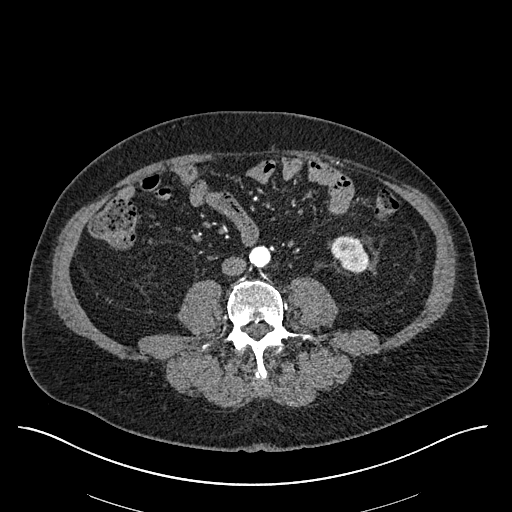
Axial slice 211 of 670 of a contrast-enhanced abdominal CT in the arterial phase (slice 1 is the lowest), 120 kVp, kernel I30f; 1.00 mm slice thickness and 0.861 mm pixels.
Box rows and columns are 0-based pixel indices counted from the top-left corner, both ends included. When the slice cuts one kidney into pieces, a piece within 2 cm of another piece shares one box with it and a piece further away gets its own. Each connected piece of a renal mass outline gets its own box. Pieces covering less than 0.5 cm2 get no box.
Left kidney at rows 236–272, columns 330–370 (outlined area 1,072 px, about 8.0 cm2). No renal mass outline on this slice.